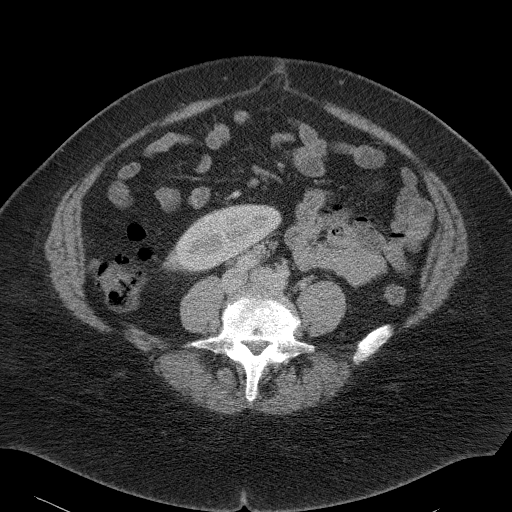
Contrast-enhanced abdominal CT, axial slice 44 of 90 (counted from the lowest slice); tube voltage 120 kVp, convolution kernel B41f; slices 5.00 mm thick, 0.781 mm per pixel.
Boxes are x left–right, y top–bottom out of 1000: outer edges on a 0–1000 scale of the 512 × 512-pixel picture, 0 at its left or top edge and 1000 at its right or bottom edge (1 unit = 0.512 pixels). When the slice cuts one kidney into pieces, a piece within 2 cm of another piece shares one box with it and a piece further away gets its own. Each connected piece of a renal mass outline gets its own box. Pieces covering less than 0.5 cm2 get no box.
Right kidney, box x 316–551, y 398–531 out of 1000 (outlined area 4,787 px, about 29.2 cm2). No renal mass is outlined on this slice.